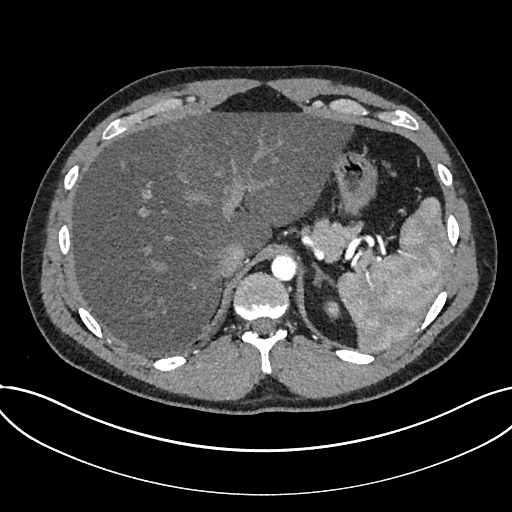
Abdominal CT with intravenous contrast, arterial phase, axial plane, 120 kVp, kernel I30f. Slice 595/735 from the bottom of the scan; thickness 1.00 mm; pixel size 0.789 mm.
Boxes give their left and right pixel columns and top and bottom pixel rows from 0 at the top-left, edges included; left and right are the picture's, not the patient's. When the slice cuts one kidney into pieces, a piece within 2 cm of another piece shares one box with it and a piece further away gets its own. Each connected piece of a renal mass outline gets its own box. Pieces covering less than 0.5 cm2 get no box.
Box with left 323, top 300, right 340, bottom 320: kidney (outlined area 243 px, about 1.5 cm2). No renal mass outline on this slice.